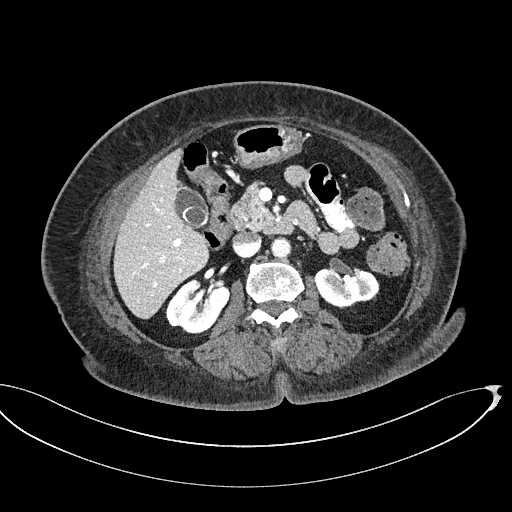
Contrast-enhanced abdominal CT, axial slice 300 of 439 (counted from the lowest slice); tube voltage 100 kVp, convolution kernel I40f; slices 2.00 mm thick, 0.850 mm per pixel.
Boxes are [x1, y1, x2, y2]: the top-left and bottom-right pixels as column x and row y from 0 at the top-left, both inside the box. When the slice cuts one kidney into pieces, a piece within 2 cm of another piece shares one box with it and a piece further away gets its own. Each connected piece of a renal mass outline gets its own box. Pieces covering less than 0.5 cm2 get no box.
Two kidney boxes on this slice; by box centre, from the image's left to its right: (1) Box [165, 279, 230, 334]: right kidney (outlined area 2,473 px, about 17.9 cm2). (2) Left kidney at [315, 267, 379, 308] (outlined area 2,063 px, about 14.9 cm2). No renal mass outline on this slice.